Axial slice 20 of 106 of a contrast-enhanced abdominal CT in the arterial phase (slice 1 is the lowest), 120 kVp, kernel STANDARD; 2.50 mm slice thickness and 0.742 mm pixels.
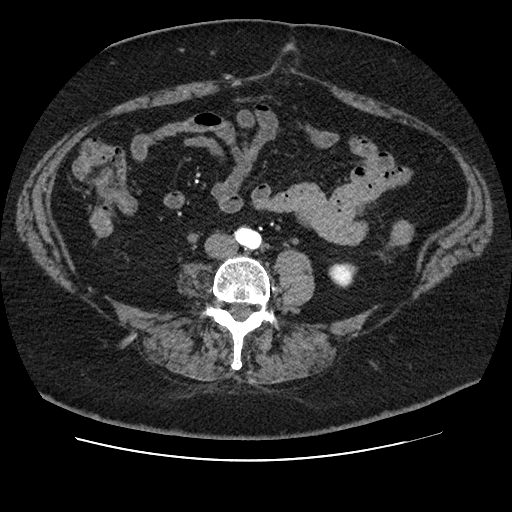
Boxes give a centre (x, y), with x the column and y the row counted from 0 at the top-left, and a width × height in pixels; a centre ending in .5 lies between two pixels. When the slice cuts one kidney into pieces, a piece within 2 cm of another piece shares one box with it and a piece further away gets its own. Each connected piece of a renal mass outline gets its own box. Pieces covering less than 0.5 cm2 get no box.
Left kidney in a box with centre (342.5, 275), 30 × 25 pixels (outlined area 541 px, about 3.0 cm2). No renal mass outline on this slice.